Axial slice 44 of 121 of a contrast-enhanced abdominal CT in the arterial phase (slice 1 is the lowest), 120 kVp, kernel STANDARD; 2.50 mm slice thickness and 0.861 mm pixels.
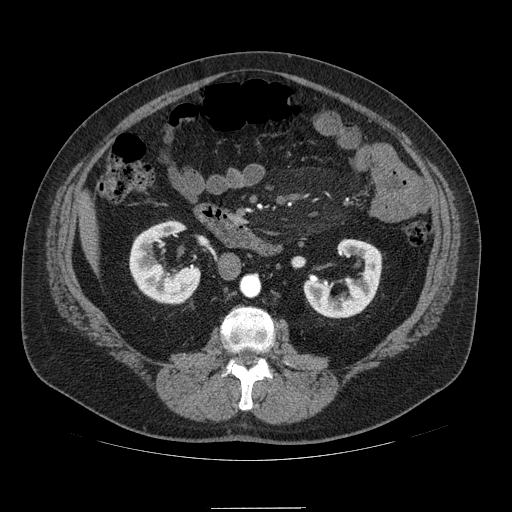
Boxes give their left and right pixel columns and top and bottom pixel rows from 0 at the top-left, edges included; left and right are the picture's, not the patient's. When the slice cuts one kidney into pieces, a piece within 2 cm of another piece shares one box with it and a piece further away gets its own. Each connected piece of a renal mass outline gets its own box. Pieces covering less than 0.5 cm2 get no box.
Two boxes on this slice (two kidney boxes), listed by box centre from the image's left to its right. (1) Box with left 129, top 220, right 200, bottom 304: right kidney (outlined area 3,482 px, about 25.8 cm2). (2) Left kidney, the box with left 303, top 239, right 381, bottom 318 (outlined area 3,310 px, about 24.6 cm2). No renal mass is outlined on this slice.